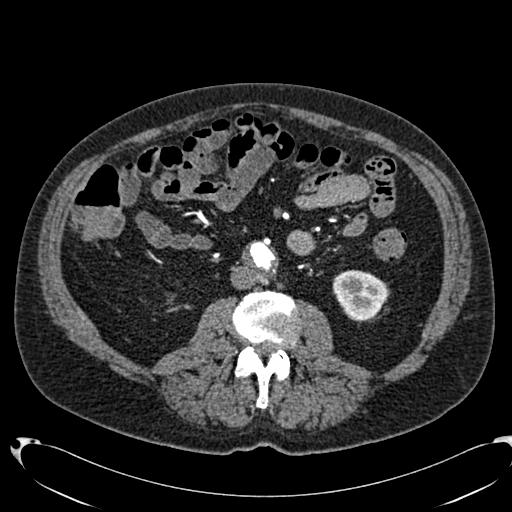
Axial slice 336 of 553 of a contrast-enhanced abdominal CT in the arterial phase (slice 1 is the lowest), 120 kVp, kernel B20f; 1.00 mm slice thickness and 0.773 mm pixels.
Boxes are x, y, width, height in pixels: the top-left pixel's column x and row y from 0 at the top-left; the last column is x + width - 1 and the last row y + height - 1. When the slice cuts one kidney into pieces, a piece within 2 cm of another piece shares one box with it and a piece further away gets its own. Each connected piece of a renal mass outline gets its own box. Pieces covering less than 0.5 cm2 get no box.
Box x 332, y 270, width 55, height 51: left kidney (outlined area 2,129 px, about 12.7 cm2). No renal mass outline on this slice.